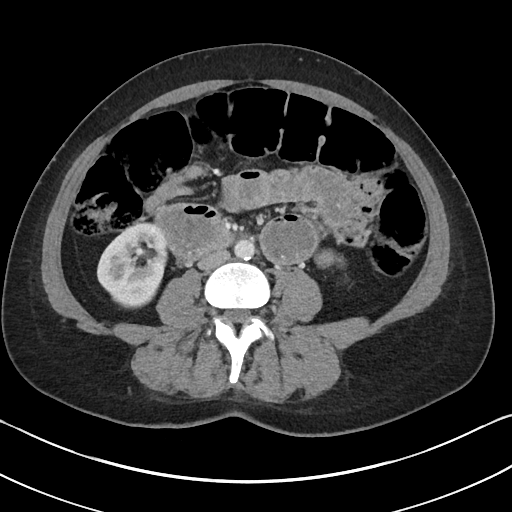
Arterial-phase contrast-enhanced abdominal CT, axial slice 53 of 90 (counted from the lowest slice); tube voltage 100 kVp, convolution kernel I40f; slices 5.00 mm thick, 0.703 mm per pixel.
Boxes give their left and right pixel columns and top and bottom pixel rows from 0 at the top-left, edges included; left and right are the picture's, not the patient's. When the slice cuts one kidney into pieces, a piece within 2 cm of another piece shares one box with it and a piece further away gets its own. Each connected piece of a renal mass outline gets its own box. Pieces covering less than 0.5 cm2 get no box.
Three boxes on this slice (two kidney boxes and one renal mass box), listed by box centre from the image's left to its right. (1) Box with left 96, top 223, right 168, bottom 308: right kidney (outlined area 4,614 px, about 22.8 cm2). (2) Left renal mass, the box with left 313, top 248, right 336, bottom 268 (outlined area 379 px, about 1.9 cm2). (3) Left kidney in the box with left 336, top 254, right 345, bottom 267 (outlined area 104 px, about 0.5 cm2).